Abdominal CT with intravenous contrast, arterial phase, axial plane, 120 kVp, kernel B31f. Slice 73/98 from the bottom of the scan; thickness 5.00 mm; pixel size 0.764 mm.
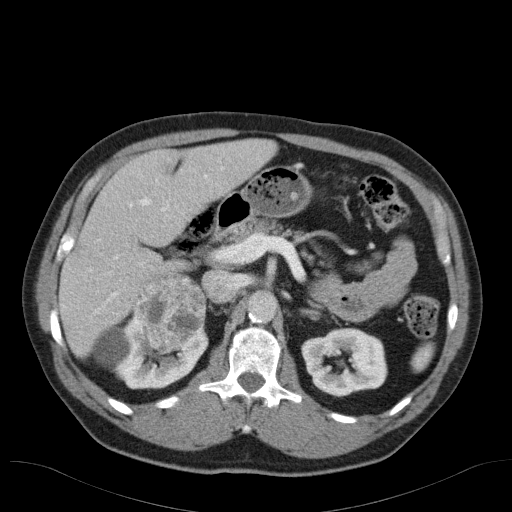
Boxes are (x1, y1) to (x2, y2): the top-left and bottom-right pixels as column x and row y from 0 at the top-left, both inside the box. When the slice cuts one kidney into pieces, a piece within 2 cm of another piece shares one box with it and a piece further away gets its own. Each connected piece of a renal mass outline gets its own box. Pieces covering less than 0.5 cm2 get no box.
Two kidney boxes and one renal mass box on this slice; by box centre, from the image's left to its right: (1) Right kidney, box (92, 315) to (208, 389) (outlined area 4,759 px, about 27.8 cm2). (2) Right renal mass from (132, 272) to (207, 354) (outlined area 4,480 px, about 26.1 cm2). (3) Left kidney from (301, 328) to (387, 397) (outlined area 4,464 px, about 26.0 cm2).